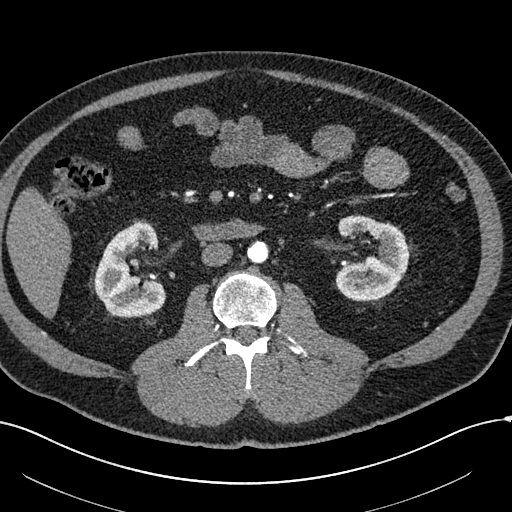
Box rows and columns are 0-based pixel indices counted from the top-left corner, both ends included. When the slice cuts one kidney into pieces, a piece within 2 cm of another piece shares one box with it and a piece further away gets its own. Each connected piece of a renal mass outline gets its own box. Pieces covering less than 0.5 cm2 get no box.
Arterial-phase contrast-enhanced abdominal CT, axial slice 287 of 602 (counted from the lowest slice); 1.00 mm thick, 0.799 mm per pixel. Two boxes on this slice (two kidney boxes), listed by box centre from the image's left to its right. (1) Right kidney, box rows 222–317, columns 94–166 (outlined area 4,801 px, about 30.6 cm2). (2) Left kidney, box rows 215–301, columns 335–409 (outlined area 4,607 px, about 29.4 cm2). This slice carries no renal mass outline.
Tube voltage 120 kVp; convolution kernel I30f.